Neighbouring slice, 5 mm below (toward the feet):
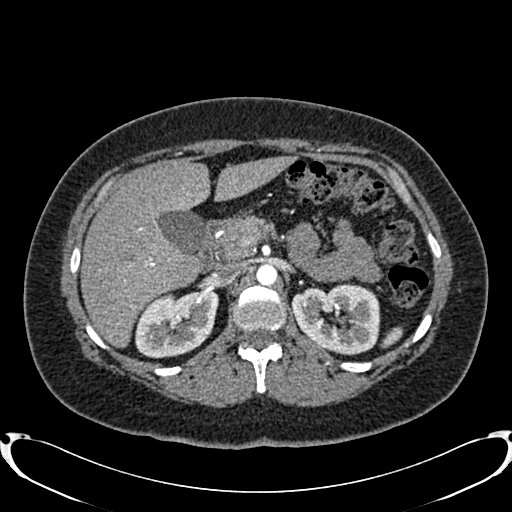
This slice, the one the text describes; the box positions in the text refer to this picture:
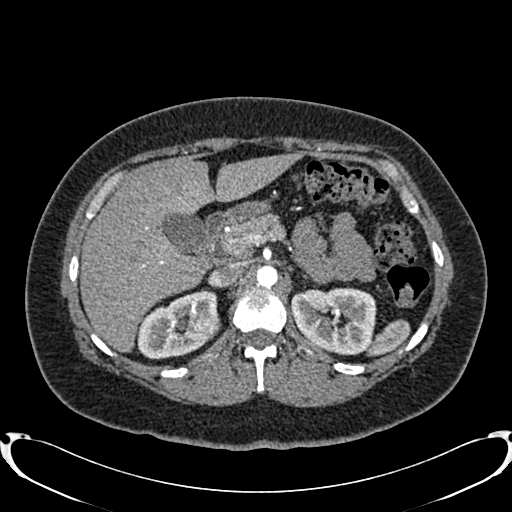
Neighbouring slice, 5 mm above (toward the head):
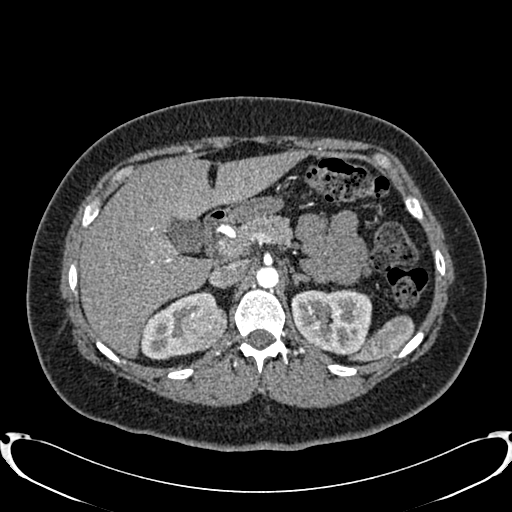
Abdominal CT with intravenous contrast, arterial phase, axial plane, 120 kVp, kernel B20f. Slice 543/719 from the bottom of the scan; thickness 1.00 mm; pixel size 0.766 mm.
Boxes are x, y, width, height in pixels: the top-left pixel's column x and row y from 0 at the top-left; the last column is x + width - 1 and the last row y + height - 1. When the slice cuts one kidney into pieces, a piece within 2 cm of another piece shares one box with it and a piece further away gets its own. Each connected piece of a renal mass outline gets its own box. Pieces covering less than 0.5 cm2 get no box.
Boxed on this slice (two kidney boxes and one renal mass box), listed by box centre from the image's left to its right: (1) Right kidney at x 136, y 289, width 83, height 71 (outlined area 3,373 px, about 19.8 cm2). (2) Right renal mass at x 187, y 312, width 35, height 30 (outlined area 788 px, about 4.6 cm2). (3) Left kidney at x 290, y 287, width 87, height 69 (outlined area 4,620 px, about 27.1 cm2). This slice is near the end of the right renal mass toward the feet, so the slices 5 mm below and 5 mm above it are shown as well; the boxes refer to this slice only.